Axial slice 108 of 178 of a contrast-enhanced abdominal CT (slice 1 is the lowest), 100 kVp, kernel I30f; 5.00 mm slice thickness and 0.650 mm pixels.
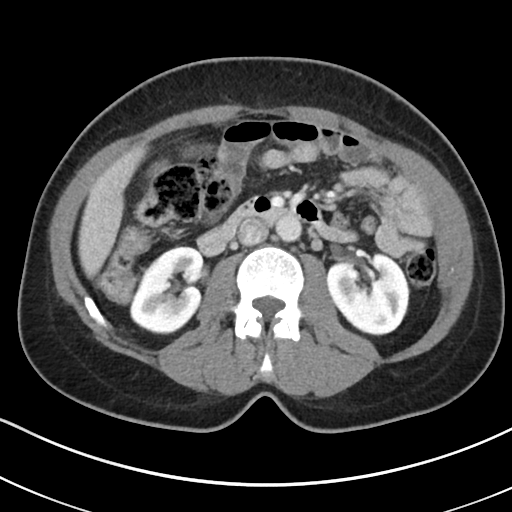
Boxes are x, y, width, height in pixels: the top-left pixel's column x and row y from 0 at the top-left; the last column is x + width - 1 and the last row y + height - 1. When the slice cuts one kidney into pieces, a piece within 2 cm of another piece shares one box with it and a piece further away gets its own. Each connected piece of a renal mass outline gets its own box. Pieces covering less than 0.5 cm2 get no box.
Boxed on this slice (two kidney boxes), listed by box centre from the image's left to its right: (1) Box x 129, y 246, width 76, height 89: right kidney (outlined area 4,874 px, about 20.6 cm2). (2) Box x 327, y 251, width 84, height 86: left kidney (outlined area 5,332 px, about 22.6 cm2). No renal mass is outlined on this slice.